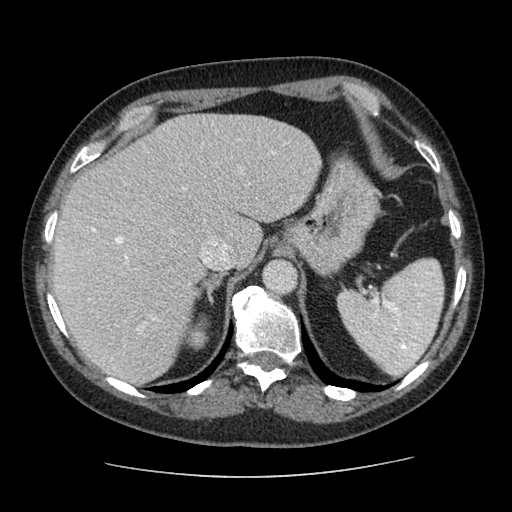
Arterial-phase contrast-enhanced abdominal CT, axial slice 77 of 96 (counted from the lowest slice); tube voltage 120 kVp, convolution kernel STANDARD; slices 2.50 mm thick, 0.689 mm per pixel.
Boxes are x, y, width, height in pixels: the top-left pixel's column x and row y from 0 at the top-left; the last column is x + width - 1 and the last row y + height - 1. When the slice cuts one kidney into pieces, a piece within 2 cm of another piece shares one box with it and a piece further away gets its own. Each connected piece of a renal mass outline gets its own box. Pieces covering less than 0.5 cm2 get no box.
Box x 186, y 314, width 24, height 37: right kidney (outlined area 588 px, about 2.8 cm2). No renal mass outline on this slice.